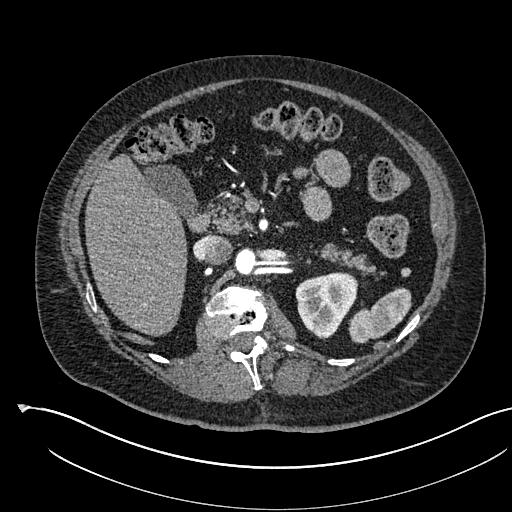
Axial slice 362 of 541 of a contrast-enhanced abdominal CT in the arterial phase (slice 1 is the lowest), 120 kVp, kernel I30f; 1.00 mm slice thickness and 0.834 mm pixels.
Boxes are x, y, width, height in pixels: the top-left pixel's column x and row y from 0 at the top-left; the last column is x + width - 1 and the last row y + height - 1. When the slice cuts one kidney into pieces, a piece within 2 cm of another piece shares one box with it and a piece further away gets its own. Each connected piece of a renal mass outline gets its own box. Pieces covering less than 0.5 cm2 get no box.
Box x 295, y 272, width 64, height 68: left kidney (outlined area 3,041 px, about 21.2 cm2). No renal mass is outlined on this slice.